One axial slice (145 of 345, counting up from the lowest) of an arterial-phase abdominal CT acquired with 120 kVp, kernel I31f; each pixel is 0.977 mm and the slice is 2.00 mm thick.
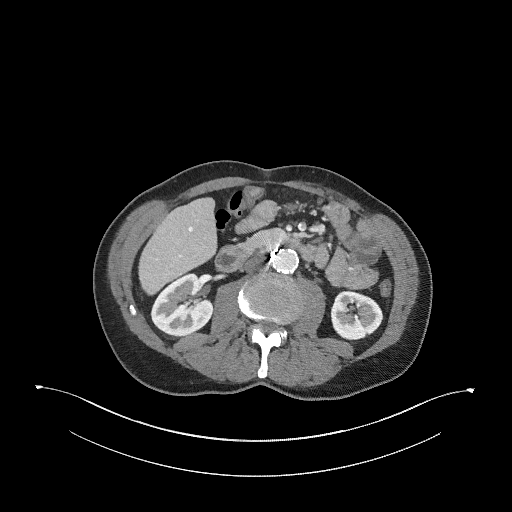
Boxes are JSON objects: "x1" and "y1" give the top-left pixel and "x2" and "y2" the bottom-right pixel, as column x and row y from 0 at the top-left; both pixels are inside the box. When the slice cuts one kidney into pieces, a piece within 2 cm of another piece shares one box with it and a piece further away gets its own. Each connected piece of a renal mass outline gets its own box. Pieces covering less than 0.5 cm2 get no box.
Boxed on this slice (two kidney boxes), listed by box centre from the image's left to its right: (1) Box {"x1": 150, "y1": 273, "x2": 213, "y2": 336}: right kidney (outlined area 2,893 px, about 27.6 cm2). (2) Left kidney, box {"x1": 330, "y1": 290, "x2": 383, "y2": 340} (outlined area 2,063 px, about 19.7 cm2). No renal mass is outlined on this slice.